Arterial-phase contrast-enhanced abdominal CT, axial slice 433 of 673 (counted from the lowest slice); tube voltage 140 kVp, convolution kernel I30f; slices 1.00 mm thick, 0.957 mm per pixel.
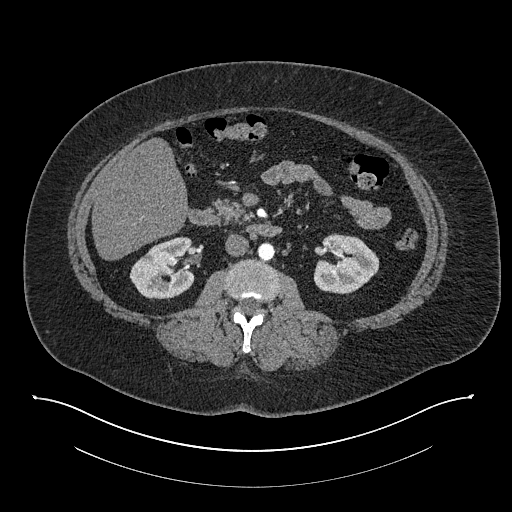
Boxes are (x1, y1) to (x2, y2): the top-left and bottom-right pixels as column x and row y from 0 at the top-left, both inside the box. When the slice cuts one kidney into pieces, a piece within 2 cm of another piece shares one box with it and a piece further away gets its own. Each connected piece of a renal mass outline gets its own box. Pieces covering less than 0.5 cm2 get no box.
Two kidney boxes on this slice; by box centre, from the image's left to its right: (1) Right kidney, box (129, 236) to (194, 299) (outlined area 3,044 px, about 27.9 cm2). (2) Left kidney from (313, 234) to (379, 294) (outlined area 2,963 px, about 27.1 cm2). No renal mass is outlined on this slice.